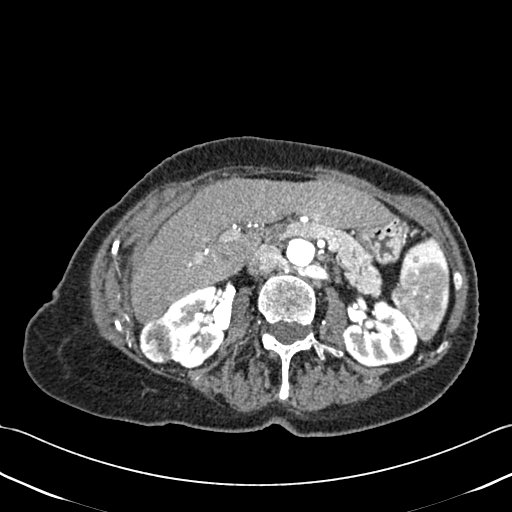
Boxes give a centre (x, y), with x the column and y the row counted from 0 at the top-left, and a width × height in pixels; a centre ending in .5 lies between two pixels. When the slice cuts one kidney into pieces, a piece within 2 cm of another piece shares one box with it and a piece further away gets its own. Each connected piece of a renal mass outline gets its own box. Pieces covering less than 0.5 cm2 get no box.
Slice 251/433 of a contrast-enhanced abdominal CT, counting up from the lowest; pixel size 0.672 mm, slice thickness 1.00 mm. Two kidney boxes and one renal mass box on this slice; by box centre, from the image's left to its right: (1) Right renal mass in a box with centre (158, 340.5), 39 × 46 pixels (outlined area 1,434 px, about 6.5 cm2). (2) Right kidney, box centre (192.5, 327), 66 × 85 pixels (outlined area 3,510 px, about 15.8 cm2). (3) Box centre (380, 333.5), 77 × 68 pixels: left kidney (outlined area 3,621 px, about 16.3 cm2).
Tube voltage 120 kVp; convolution kernel B30f.